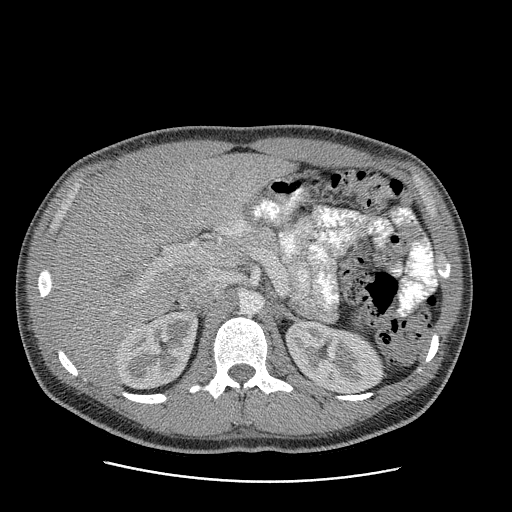
Abdominal CT with intravenous contrast, arterial phase, axial plane, 120 kVp, kernel STANDARD. Slice 161/199 from the bottom of the scan; thickness 2.50 mm; pixel size 0.789 mm.
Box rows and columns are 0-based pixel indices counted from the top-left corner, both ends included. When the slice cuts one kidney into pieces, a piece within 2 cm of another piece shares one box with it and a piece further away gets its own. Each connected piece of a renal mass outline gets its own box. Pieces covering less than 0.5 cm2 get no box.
Two kidney boxes on this slice; by box centre, from the image's left to its right: (1) Right kidney, box rows 310–390, columns 115–198 (outlined area 4,793 px, about 29.8 cm2). (2) Left kidney, box rows 320–394, columns 285–385 (outlined area 5,256 px, about 32.7 cm2). No renal mass outline on this slice.